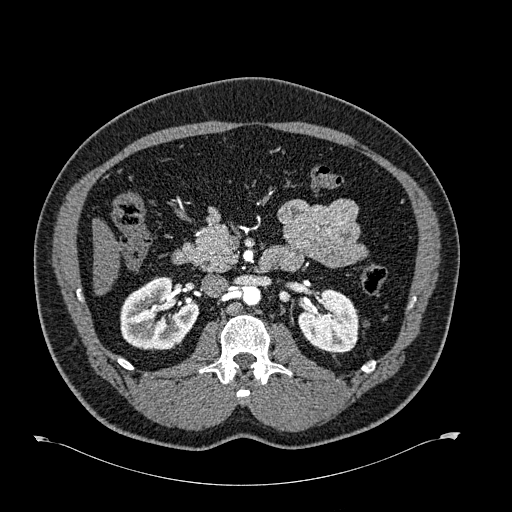
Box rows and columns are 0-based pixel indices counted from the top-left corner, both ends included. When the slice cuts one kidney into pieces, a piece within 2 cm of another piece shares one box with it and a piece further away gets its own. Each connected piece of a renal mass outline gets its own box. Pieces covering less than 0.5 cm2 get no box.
Arterial-phase contrast-enhanced abdominal CT, axial slice 379 of 723 (counted from the lowest slice); 1.00 mm thick, 0.895 mm per pixel. Boxed on this slice (two kidney boxes), listed by box centre from the image's left to its right: (1) Right kidney at rows 276–350, columns 120–199 (outlined area 4,294 px, about 34.4 cm2). (2) Box rows 289–352, columns 298–358: left kidney (outlined area 2,958 px, about 23.7 cm2). No renal mass outline on this slice.
Tube voltage 120 kVp; convolution kernel B30f.